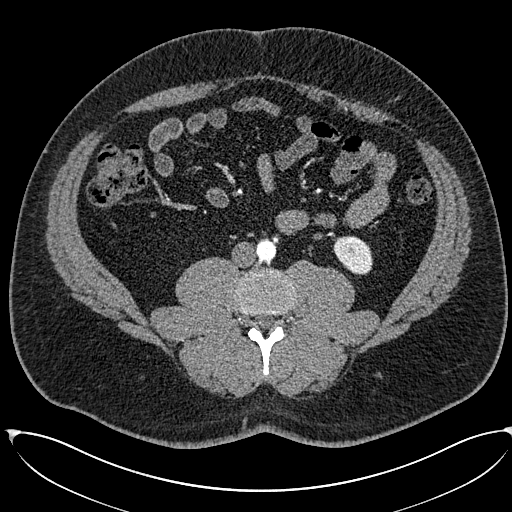
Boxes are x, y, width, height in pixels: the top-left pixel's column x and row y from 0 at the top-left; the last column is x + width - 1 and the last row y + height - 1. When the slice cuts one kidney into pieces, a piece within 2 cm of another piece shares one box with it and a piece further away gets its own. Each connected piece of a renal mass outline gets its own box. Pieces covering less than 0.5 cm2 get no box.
Arterial-phase contrast-enhanced abdominal CT, axial slice 230 of 673 (counted from the lowest slice); 1.00 mm thick, 0.855 mm per pixel. Box x 333, y 235, width 40, height 40: left kidney (outlined area 1,180 px, about 8.6 cm2). No renal mass is outlined on this slice.
Tube voltage 120 kVp; convolution kernel I30f.